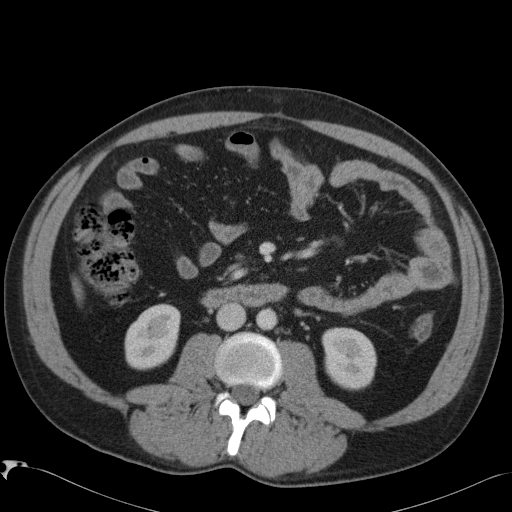
Arterial-phase contrast-enhanced abdominal CT, axial slice 49 of 88 (counted from the lowest slice); tube voltage 120 kVp, convolution kernel B41f; slices 5.00 mm thick, 0.723 mm per pixel.
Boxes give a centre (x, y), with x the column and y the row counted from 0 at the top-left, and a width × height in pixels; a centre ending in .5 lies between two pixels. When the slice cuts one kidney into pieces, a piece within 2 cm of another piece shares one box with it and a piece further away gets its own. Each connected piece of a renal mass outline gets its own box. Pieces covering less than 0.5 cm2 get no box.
Two boxes on this slice (two kidney boxes), listed by box centre from the image's left to its right. (1) Box centre (152, 336.5), 57 × 68 pixels: right kidney (outlined area 2,877 px, about 15.0 cm2). (2) Box centre (348.5, 358.5), 56 × 64 pixels: left kidney (outlined area 2,807 px, about 14.7 cm2). No renal mass outline on this slice.